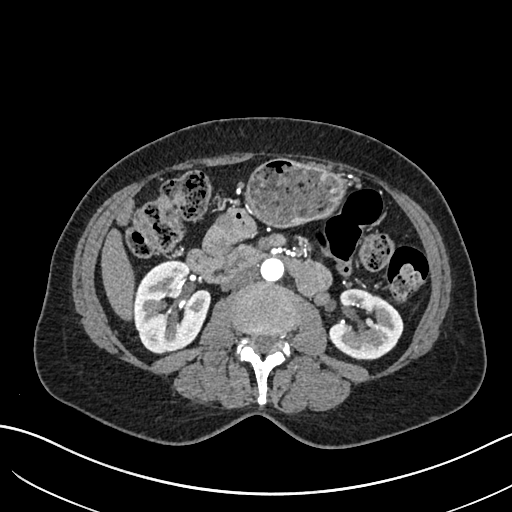
Axial slice 348 of 683 of a contrast-enhanced abdominal CT in the arterial phase (slice 1 is the lowest), 120 kVp, kernel I30f; 1.00 mm slice thickness and 0.738 mm pixels.
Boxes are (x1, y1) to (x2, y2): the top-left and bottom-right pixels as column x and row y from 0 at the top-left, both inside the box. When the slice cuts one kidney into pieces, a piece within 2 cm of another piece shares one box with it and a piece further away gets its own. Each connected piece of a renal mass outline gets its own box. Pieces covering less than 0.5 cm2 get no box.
Two boxes on this slice (two kidney boxes), listed by box centre from the image's left to its right. (1) Right kidney, box (133, 260) to (211, 353) (outlined area 5,470 px, about 29.8 cm2). (2) Left kidney, box (328, 288) to (403, 360) (outlined area 3,773 px, about 20.6 cm2). No renal mass is outlined on this slice.